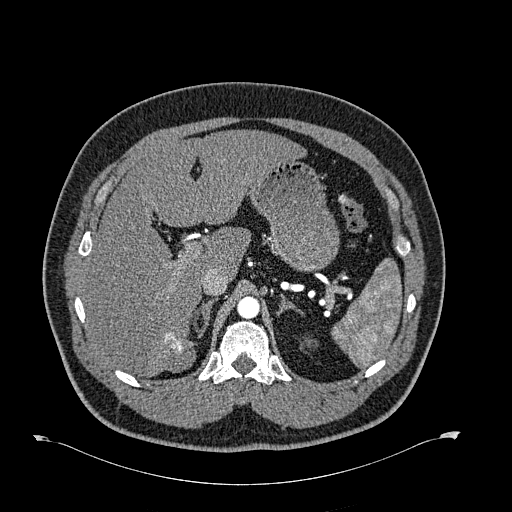
Axial slice 499 of 723 of a contrast-enhanced abdominal CT in the arterial phase (slice 1 is the lowest), 120 kVp, kernel B30f; 1.00 mm slice thickness and 0.895 mm pixels.
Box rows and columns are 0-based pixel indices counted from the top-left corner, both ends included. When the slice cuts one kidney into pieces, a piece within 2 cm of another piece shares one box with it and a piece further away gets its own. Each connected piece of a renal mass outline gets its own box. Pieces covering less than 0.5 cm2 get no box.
Left kidney, box rows 337–347, columns 304–315 (outlined area 89 px, about 0.7 cm2). This slice carries no renal mass outline.